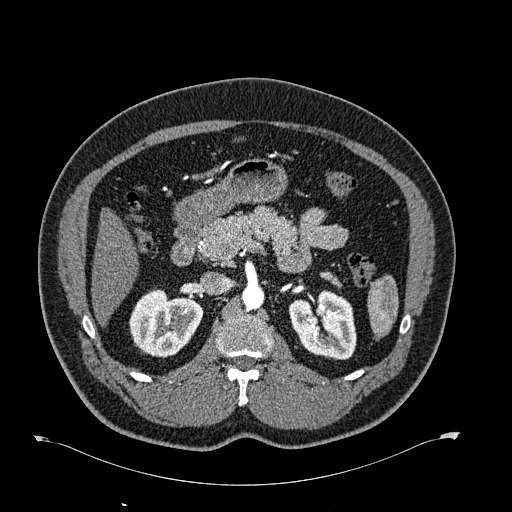
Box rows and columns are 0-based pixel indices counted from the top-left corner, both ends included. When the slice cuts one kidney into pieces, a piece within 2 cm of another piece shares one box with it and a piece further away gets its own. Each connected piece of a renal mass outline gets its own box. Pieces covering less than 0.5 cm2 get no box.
This is axial slice 411 of 723 (slice 1 is the lowest) of an arterial-phase abdominal CT with contrast; each pixel is 0.895 mm and the slice is 1.00 mm thick. Boxed on this slice (two kidney boxes), listed by box centre from the image's left to its right: (1) Right kidney, box rows 288–357, columns 129–203 (outlined area 3,701 px, about 29.6 cm2). (2) Box rows 289–359, columns 288–356: left kidney (outlined area 3,579 px, about 28.6 cm2). This slice carries no renal mass outline.
Acquired at 120 kVp and reconstructed with the B30f kernel.